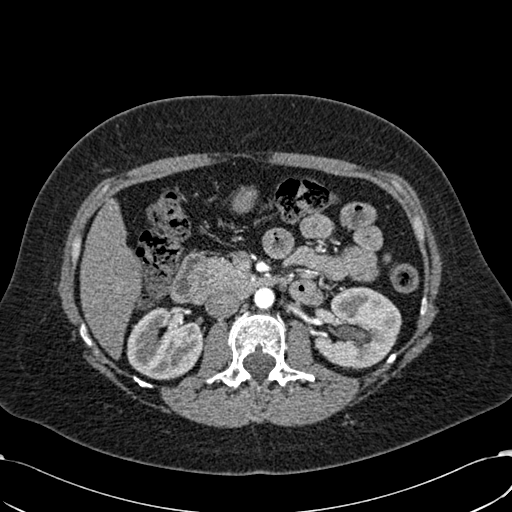
Arterial-phase contrast-enhanced abdominal CT, axial slice 360 of 532 (counted from the lowest slice); tube voltage 120 kVp, convolution kernel B30f; slices 1.00 mm thick, 0.713 mm per pixel.
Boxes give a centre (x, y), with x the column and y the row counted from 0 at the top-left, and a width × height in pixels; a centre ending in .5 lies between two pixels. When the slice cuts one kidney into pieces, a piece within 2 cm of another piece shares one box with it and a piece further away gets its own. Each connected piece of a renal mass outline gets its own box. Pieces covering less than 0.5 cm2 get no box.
Two boxes on this slice (two kidney boxes), listed by box centre from the image's left to its right. (1) Right kidney, box centre (164.5, 343), 78 × 73 pixels (outlined area 4,201 px, about 21.4 cm2). (2) Left kidney in a box with centre (357.5, 327.5), 88 × 82 pixels (outlined area 5,260 px, about 26.7 cm2). No renal mass outline on this slice.